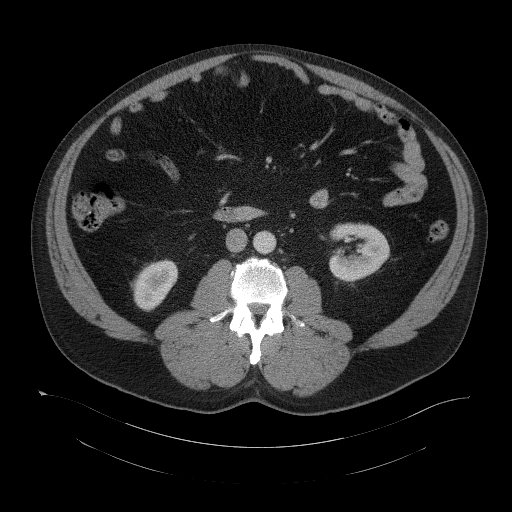
Abdominal CT with intravenous contrast, axial plane, 120 kVp, kernel B41f. Slice 60/104 from the bottom of the scan; thickness 5.00 mm; pixel size 0.977 mm.
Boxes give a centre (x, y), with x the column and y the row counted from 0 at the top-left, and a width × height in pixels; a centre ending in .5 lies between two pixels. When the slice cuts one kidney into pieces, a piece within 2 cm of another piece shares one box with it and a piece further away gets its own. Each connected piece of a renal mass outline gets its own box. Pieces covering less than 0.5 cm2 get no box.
Two boxes on this slice (two kidney boxes), listed by box centre from the image's left to its right. (1) Right kidney in a box with centre (154, 285), 49 × 53 pixels (outlined area 1,673 px, about 16.0 cm2). (2) Box centre (358.5, 254), 62 × 63 pixels: left kidney (outlined area 2,715 px, about 25.9 cm2). This slice carries no renal mass outline.